Axial slice 517 of 634 of a contrast-enhanced abdominal CT in the arterial phase (slice 1 is the lowest), 120 kVp, kernel B20f; 1.00 mm slice thickness and 0.838 mm pixels.
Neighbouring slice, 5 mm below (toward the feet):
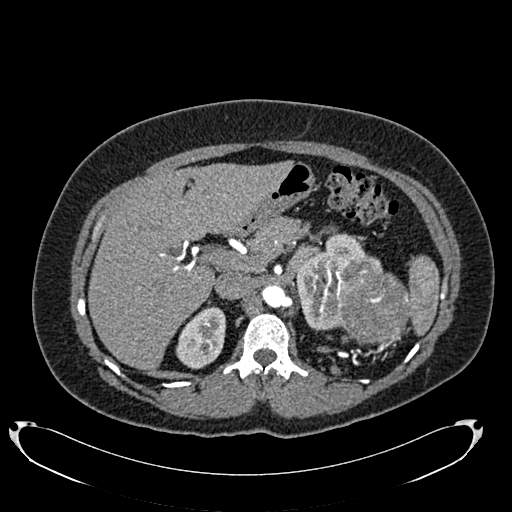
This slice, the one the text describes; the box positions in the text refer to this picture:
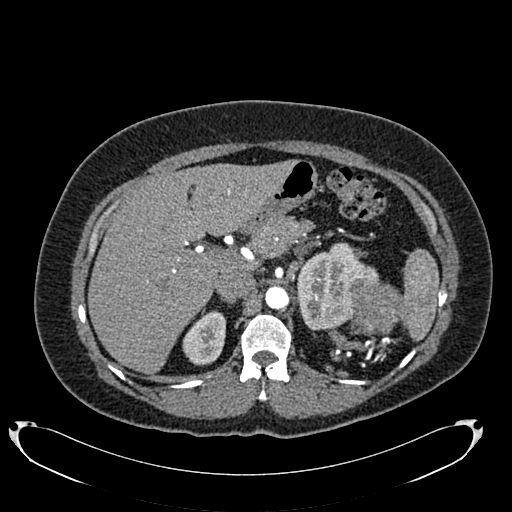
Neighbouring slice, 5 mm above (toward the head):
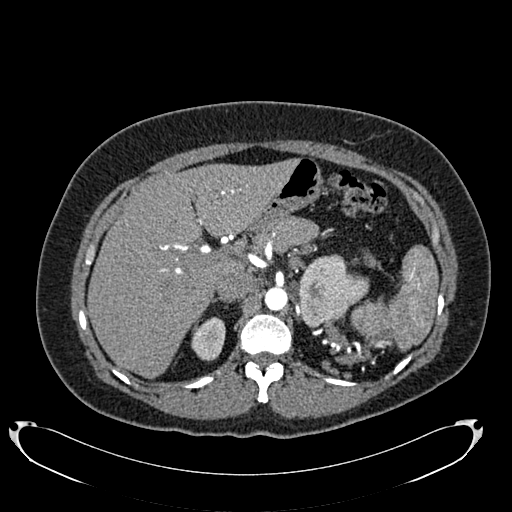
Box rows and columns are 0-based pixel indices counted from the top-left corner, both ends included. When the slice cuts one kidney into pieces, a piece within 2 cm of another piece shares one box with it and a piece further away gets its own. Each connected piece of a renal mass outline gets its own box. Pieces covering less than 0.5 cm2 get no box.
Boxed on this slice (two kidney boxes and one renal mass box), listed by box centre from the image's left to its right: (1) Box rows 310–365, columns 182–226: right kidney (outlined area 1,795 px, about 12.6 cm2). (2) Box rows 242–330, columns 297–379: left kidney (outlined area 4,502 px, about 31.6 cm2). (3) Left renal mass at rows 281–336, columns 349–403 (outlined area 2,412 px, about 16.9 cm2). This slice lies near the end of the left renal mass toward the head; the slices 5 mm below and 5 mm above it are shown too, and the boxes mark positions on this slice only.